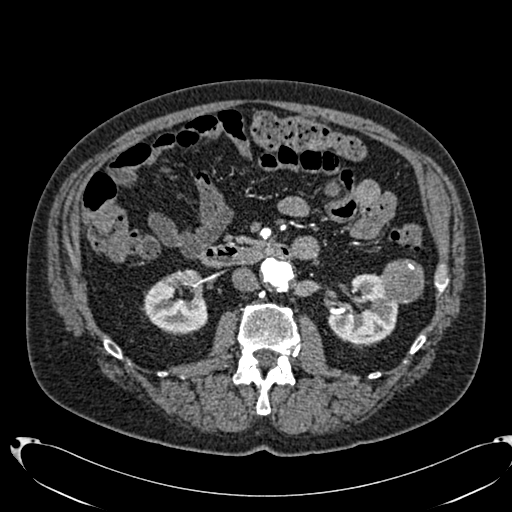
One axial slice (392 of 553, counting up from the lowest) of an arterial-phase abdominal CT acquired with 120 kVp, kernel B20f; each pixel is 0.773 mm and the slice is 1.00 mm thick.
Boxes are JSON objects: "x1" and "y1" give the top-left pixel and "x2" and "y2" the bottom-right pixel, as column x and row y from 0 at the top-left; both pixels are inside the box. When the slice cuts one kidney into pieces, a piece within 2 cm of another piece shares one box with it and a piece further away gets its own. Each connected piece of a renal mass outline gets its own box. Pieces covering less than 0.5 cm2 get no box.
Boxed on this slice (two kidney boxes and one renal mass box), listed by box centre from the image's left to its right: (1) Right kidney at {"x1": 142, "y1": 269, "x2": 207, "y2": 333} (outlined area 3,088 px, about 18.5 cm2). (2) Box {"x1": 328, "y1": 273, "x2": 398, "y2": 343}: left kidney (outlined area 3,413 px, about 20.4 cm2). (3) Left renal mass at {"x1": 381, "y1": 259, "x2": 424, "y2": 303} (outlined area 1,575 px, about 9.4 cm2).